One axial slice (155 of 207, counting up from the lowest) of an arterial-phase abdominal CT acquired with 120 kVp, kernel FC18; each pixel is 0.741 mm and the slice is 2.00 mm thick.
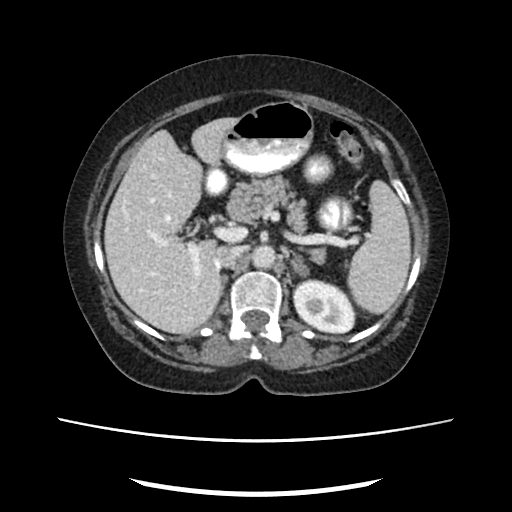
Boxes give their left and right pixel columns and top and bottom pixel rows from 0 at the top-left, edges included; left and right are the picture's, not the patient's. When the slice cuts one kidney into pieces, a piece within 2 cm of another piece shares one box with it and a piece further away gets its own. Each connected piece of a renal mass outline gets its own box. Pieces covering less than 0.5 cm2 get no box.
Box with left 292, top 279, right 356, bottom 333: left kidney (outlined area 2,685 px, about 14.7 cm2). This slice carries no renal mass outline.